One axial slice (68 of 98, counting up from the lowest) of a contrast-enhanced abdominal CT acquired with 130 kVp, kernel B30s; each pixel is 0.840 mm and the slice is 5.00 mm thick.
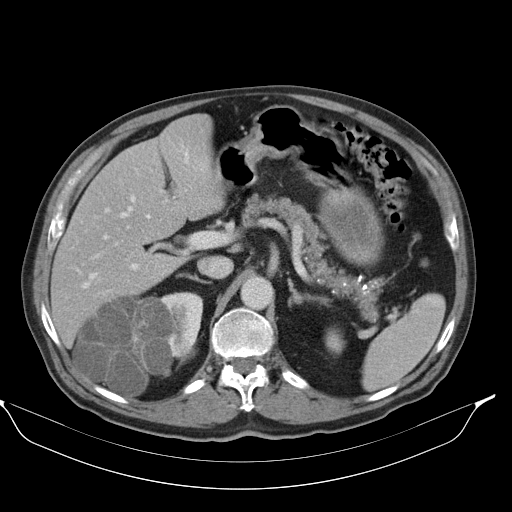
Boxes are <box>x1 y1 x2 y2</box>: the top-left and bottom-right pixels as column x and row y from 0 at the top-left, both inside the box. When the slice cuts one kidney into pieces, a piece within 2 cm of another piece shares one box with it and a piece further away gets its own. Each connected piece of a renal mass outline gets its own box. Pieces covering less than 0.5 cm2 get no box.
Two kidney boxes and one renal mass box on this slice; by box centre, from the image's left to its right: (1) Right renal mass: <box>72 295 174 397</box> (outlined area 7,657 px, about 54.0 cm2). (2) Right kidney: <box>160 291 202 358</box> (outlined area 1,871 px, about 13.2 cm2). (3) Left kidney at <box>325 329 345 354</box> (outlined area 402 px, about 2.8 cm2).